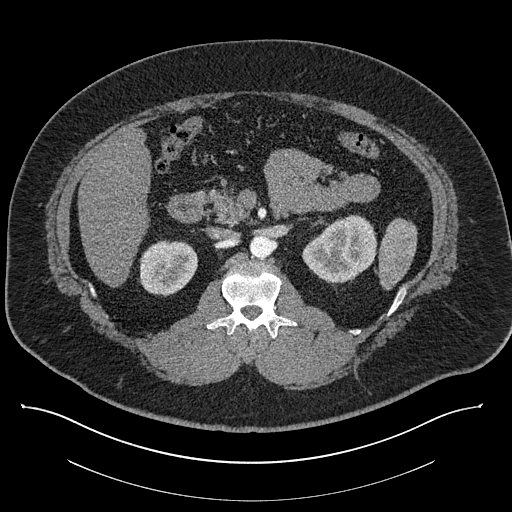
Axial slice 521 of 787 of a contrast-enhanced abdominal CT (slice 1 is the lowest), 140 kVp, kernel I30f; 1.00 mm slice thickness and 0.910 mm pixels.
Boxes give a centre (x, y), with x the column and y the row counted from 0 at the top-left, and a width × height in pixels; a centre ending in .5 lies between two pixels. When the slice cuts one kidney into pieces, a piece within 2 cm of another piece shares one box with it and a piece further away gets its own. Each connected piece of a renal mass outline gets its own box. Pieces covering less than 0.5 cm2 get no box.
Two kidney boxes on this slice; by box centre, from the image's left to its right: (1) Box centre (167.5, 268), 60 × 57 pixels: right kidney (outlined area 2,625 px, about 21.7 cm2). (2) Left kidney, box centre (339.5, 250), 76 × 73 pixels (outlined area 3,724 px, about 30.8 cm2). No renal mass is outlined on this slice.